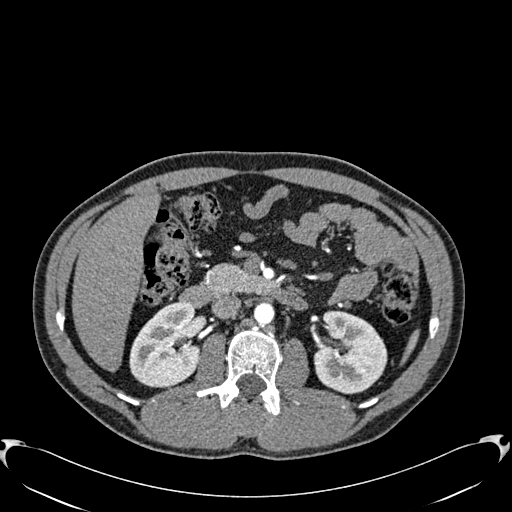
Abdominal CT with intravenous contrast, arterial phase, axial plane, 120 kVp, kernel B30f. Slice 356/512 from the bottom of the scan; thickness 1.00 mm; pixel size 0.771 mm.
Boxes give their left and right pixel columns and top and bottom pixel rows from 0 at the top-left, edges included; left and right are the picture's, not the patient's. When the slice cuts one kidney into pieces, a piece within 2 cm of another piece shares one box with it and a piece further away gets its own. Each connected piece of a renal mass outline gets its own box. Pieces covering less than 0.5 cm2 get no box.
Two kidney boxes on this slice; by box centre, from the image's left to its right: (1) Right kidney, the box with left 129, top 302, right 200, bottom 387 (outlined area 4,571 px, about 27.2 cm2). (2) Left kidney, the box with left 313, top 310, right 387, bottom 394 (outlined area 4,693 px, about 27.9 cm2). This slice carries no renal mass outline.